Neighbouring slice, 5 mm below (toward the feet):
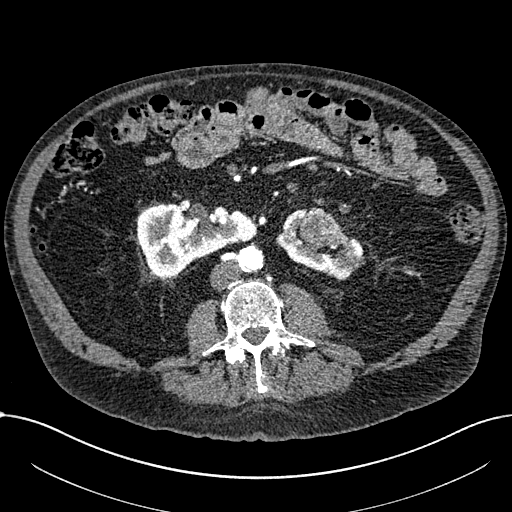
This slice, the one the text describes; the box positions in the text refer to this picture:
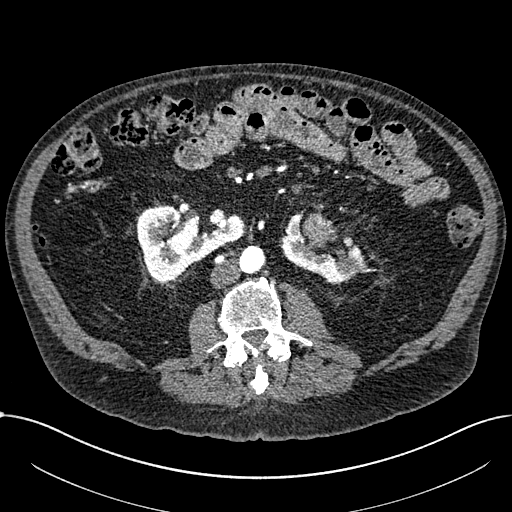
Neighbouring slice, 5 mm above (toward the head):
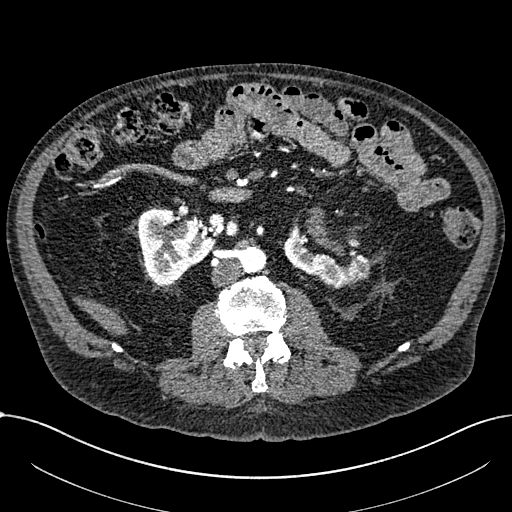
Arterial-phase contrast-enhanced abdominal CT, axial slice 335 of 1059 (counted from the lowest slice); tube voltage 100 kVp, convolution kernel I30f; slices 1.00 mm thick, 0.811 mm per pixel.
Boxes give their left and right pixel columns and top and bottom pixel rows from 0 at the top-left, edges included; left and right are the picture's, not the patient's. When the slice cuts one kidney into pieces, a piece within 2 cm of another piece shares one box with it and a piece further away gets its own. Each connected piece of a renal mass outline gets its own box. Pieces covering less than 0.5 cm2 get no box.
Three boxes on this slice (two kidney boxes and one renal mass box), listed by box centre from the image's left to its right. (1) Box with left 136, top 203, right 245, bottom 281: right part of the midline-crossing kidney (outlined area 5,442 px, about 35.8 cm2). (2) Renal mass in the box with left 302, top 213, right 338, bottom 251 (outlined area 1,011 px, about 6.6 cm2). (3) Left part of the midline-crossing kidney in the box with left 279, top 211, right 367, bottom 285 (outlined area 2,766 px, about 18.2 cm2). This slice lies near the end of a renal mass toward the head; the slices 5 mm below and 5 mm above it are shown too, and the boxes mark positions on this slice only.